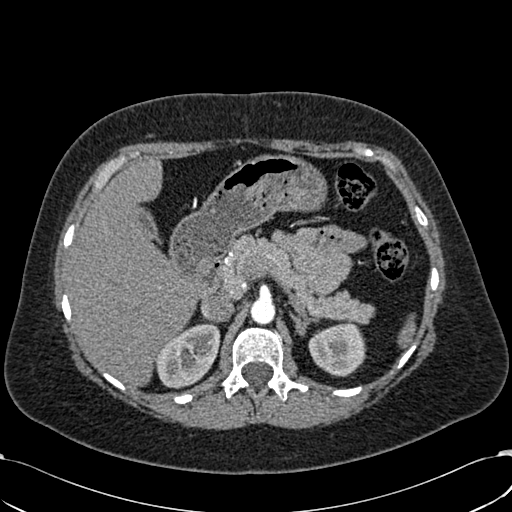
One axial slice (430 of 532, counting up from the lowest) of an arterial-phase abdominal CT acquired with 120 kVp, kernel B30f; each pixel is 0.713 mm and the slice is 1.00 mm thick.
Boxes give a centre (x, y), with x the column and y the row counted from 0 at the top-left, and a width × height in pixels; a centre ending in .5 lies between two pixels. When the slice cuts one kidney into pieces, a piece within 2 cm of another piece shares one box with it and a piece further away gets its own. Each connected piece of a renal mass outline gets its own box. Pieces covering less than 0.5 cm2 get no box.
Two boxes on this slice (two kidney boxes), listed by box centre from the image's left to its right. (1) Box centre (187.5, 355.5), 66 × 66 pixels: right kidney (outlined area 3,040 px, about 15.4 cm2). (2) Left kidney in a box with centre (337, 349.5), 59 × 54 pixels (outlined area 2,380 px, about 12.1 cm2). This slice carries no renal mass outline.